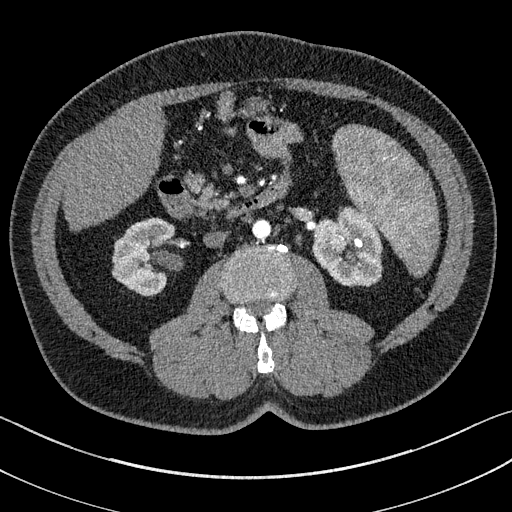
One axial slice (76 of 195, counting up from the lowest) of an arterial-phase abdominal CT acquired with 100 kVp, kernel I31f; each pixel is 0.707 mm and the slice is 1.50 mm thick.
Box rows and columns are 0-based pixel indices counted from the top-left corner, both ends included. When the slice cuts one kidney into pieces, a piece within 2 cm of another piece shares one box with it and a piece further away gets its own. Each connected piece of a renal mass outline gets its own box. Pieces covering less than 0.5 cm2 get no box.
Two boxes on this slice (two kidney boxes), listed by box centre from the image's left to its right. (1) Box rows 219–295, columns 112–174: right kidney (outlined area 3,519 px, about 17.6 cm2). (2) Box rows 206–286, columns 312–382: left kidney (outlined area 4,266 px, about 21.3 cm2). No renal mass outline on this slice.